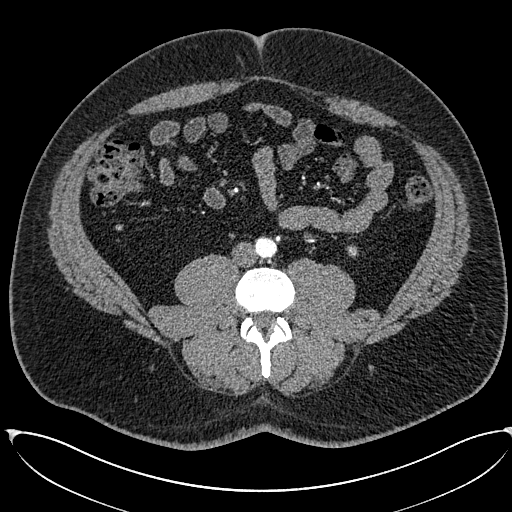
One axial slice (216 of 673, counting up from the lowest) of an arterial-phase abdominal CT acquired with 120 kVp, kernel I30f; each pixel is 0.855 mm and the slice is 1.00 mm thick.
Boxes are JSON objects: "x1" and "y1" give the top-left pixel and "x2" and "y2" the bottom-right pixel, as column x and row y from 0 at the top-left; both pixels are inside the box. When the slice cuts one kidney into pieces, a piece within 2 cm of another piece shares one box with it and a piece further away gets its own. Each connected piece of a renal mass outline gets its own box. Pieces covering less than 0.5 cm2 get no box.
Left kidney at {"x1": 346, "y1": 245, "x2": 358, "y2": 257} (outlined area 118 px, about 0.9 cm2). No renal mass is outlined on this slice.